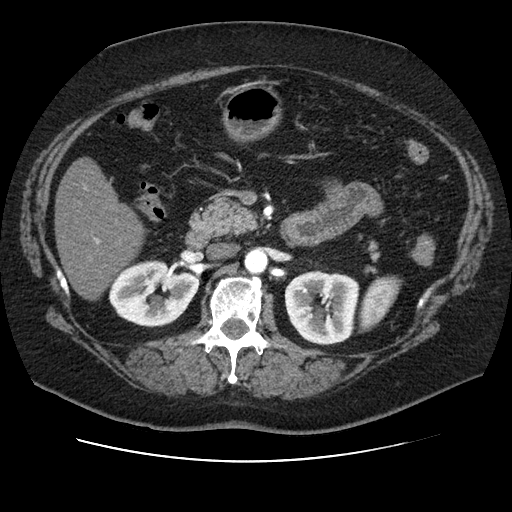
Axial slice 60 of 106 of a contrast-enhanced abdominal CT in the arterial phase (slice 1 is the lowest), 120 kVp, kernel STANDARD; 2.50 mm slice thickness and 0.742 mm pixels.
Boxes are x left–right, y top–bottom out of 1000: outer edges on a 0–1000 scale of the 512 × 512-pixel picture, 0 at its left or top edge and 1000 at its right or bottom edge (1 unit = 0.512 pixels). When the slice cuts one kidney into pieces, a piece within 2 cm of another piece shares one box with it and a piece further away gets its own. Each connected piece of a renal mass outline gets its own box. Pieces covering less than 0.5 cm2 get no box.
Two boxes on this slice (two kidney boxes), listed by box centre from the image's left to its right. (1) Right kidney at x 211–391, y 508–641 out of 1000 (outlined area 4,518 px, about 24.9 cm2). (2) Left kidney at x 555–703, y 527–676 out of 1000 (outlined area 4,502 px, about 24.8 cm2). This slice carries no renal mass outline.